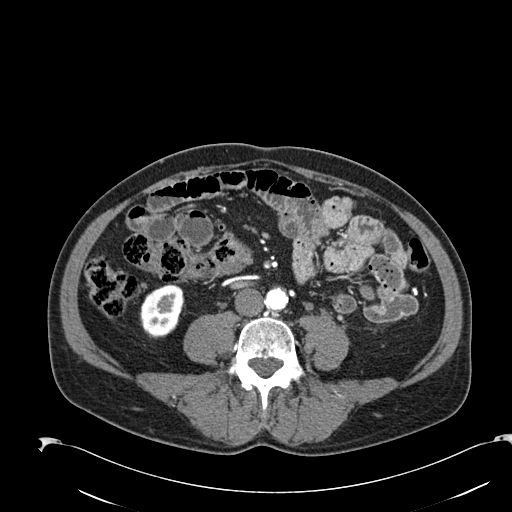
Arterial-phase contrast-enhanced abdominal CT, axial slice 49 of 274 (counted from the lowest slice); tube voltage 120 kVp, convolution kernel B30f; slices 2.00 mm thick, 0.809 mm per pixel.
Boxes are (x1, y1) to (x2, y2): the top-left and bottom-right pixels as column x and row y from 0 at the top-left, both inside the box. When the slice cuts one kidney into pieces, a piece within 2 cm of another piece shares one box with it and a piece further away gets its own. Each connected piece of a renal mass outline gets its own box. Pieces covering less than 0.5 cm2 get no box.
Right kidney, box (139, 283) to (184, 338) (outlined area 1,854 px, about 12.1 cm2). This slice carries no renal mass outline.